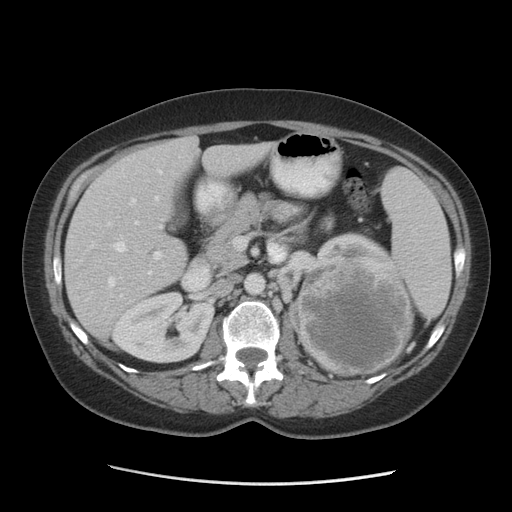
Axial slice 57 of 84 of a contrast-enhanced abdominal CT (slice 1 is the lowest), 140 kVp, kernel STANDARD; 5.00 mm slice thickness and 0.717 mm pixels.
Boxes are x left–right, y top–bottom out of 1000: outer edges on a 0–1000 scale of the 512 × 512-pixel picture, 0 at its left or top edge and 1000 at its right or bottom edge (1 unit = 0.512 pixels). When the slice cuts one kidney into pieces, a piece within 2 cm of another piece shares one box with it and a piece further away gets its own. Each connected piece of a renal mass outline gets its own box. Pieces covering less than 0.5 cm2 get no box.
Boxed on this slice (three kidney boxes and one renal mass box), listed by box centre from the image's left to its right: (1) Right kidney at x 217–418, y 566–711 out of 1000 (outlined area 5,579 px, about 28.7 cm2). (2) Box x 563–584, y 582–650 out of 1000: left kidney (one of two boxed parts) (outlined area 257 px, about 1.3 cm2). (3) Left kidney (one of two boxed parts), box x 617–762, y 451–506 out of 1000 (outlined area 1,241 px, about 6.4 cm2). (4) Left renal mass at x 578–811, y 494–736 out of 1000 (outlined area 11,926 px, about 61.3 cm2).